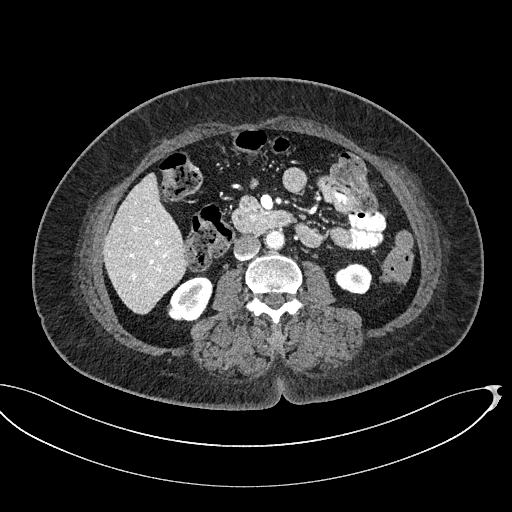
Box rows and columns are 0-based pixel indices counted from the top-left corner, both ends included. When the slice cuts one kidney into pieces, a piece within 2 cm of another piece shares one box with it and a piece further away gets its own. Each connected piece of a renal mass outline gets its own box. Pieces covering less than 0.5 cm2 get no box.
Contrast-enhanced abdominal CT, axial slice 269 of 439 (counted from the lowest slice); 2.00 mm thick, 0.850 mm per pixel. Boxed on this slice (two kidney boxes), listed by box centre from the image's left to its right: (1) Right kidney at rows 275–321, columns 167–213 (outlined area 1,529 px, about 11.0 cm2). (2) Left kidney at rows 263–294, columns 335–372 (outlined area 907 px, about 6.5 cm2). No renal mass outline on this slice.
Scan settings: 100 kVp, I40f reconstruction kernel.